One axial slice (381 of 612, counting up from the lowest) of an arterial-phase abdominal CT acquired with 120 kVp, kernel I30f; each pixel is 0.703 mm and the slice is 1.00 mm thick.
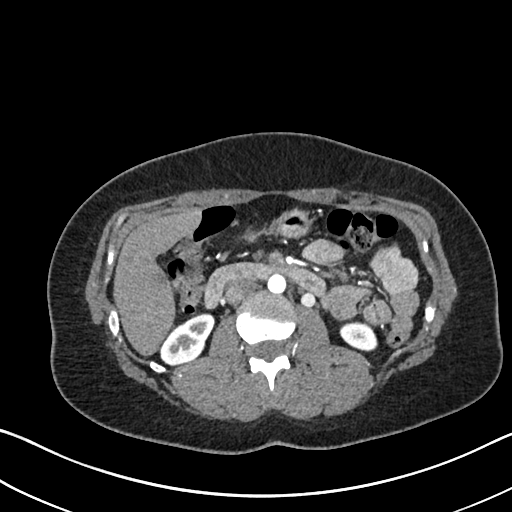
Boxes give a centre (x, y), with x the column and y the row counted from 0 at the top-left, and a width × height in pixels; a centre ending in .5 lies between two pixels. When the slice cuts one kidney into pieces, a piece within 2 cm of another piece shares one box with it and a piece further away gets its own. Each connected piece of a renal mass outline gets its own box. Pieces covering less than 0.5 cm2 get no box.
Two kidney boxes on this slice; by box centre, from the image's left to its right: (1) Right kidney, box centre (187, 338), 55 × 51 pixels (outlined area 1,772 px, about 8.8 cm2). (2) Left kidney, box centre (358, 335), 39 × 31 pixels (outlined area 882 px, about 4.4 cm2). No renal mass outline on this slice.